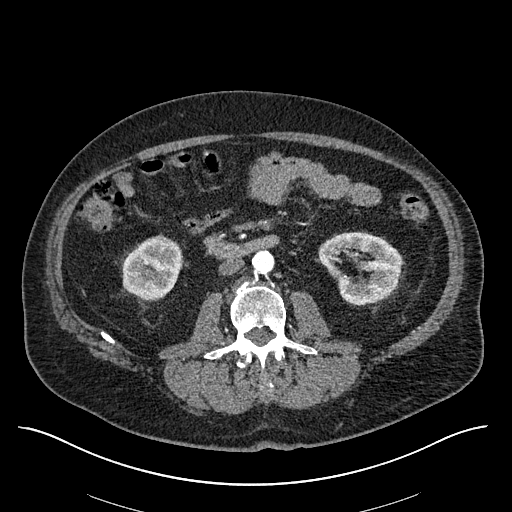
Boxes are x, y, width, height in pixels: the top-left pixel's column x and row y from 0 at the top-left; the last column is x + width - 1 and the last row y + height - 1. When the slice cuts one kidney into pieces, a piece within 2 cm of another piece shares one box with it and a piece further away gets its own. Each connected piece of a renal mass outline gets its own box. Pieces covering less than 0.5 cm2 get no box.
This is axial slice 279 of 670 (slice 1 is the lowest) of an arterial-phase abdominal CT with contrast; each pixel is 0.861 mm and the slice is 1.00 mm thick. Two boxes on this slice (two kidney boxes), listed by box centre from the image's left to its right. (1) Box x 122, y 235, width 62, height 67: right kidney (outlined area 3,058 px, about 22.7 cm2). (2) Left kidney, box x 318, y 232, width 84, height 74 (outlined area 4,317 px, about 32.0 cm2). This slice carries no renal mass outline.
Scan settings: 120 kVp, I30f reconstruction kernel.